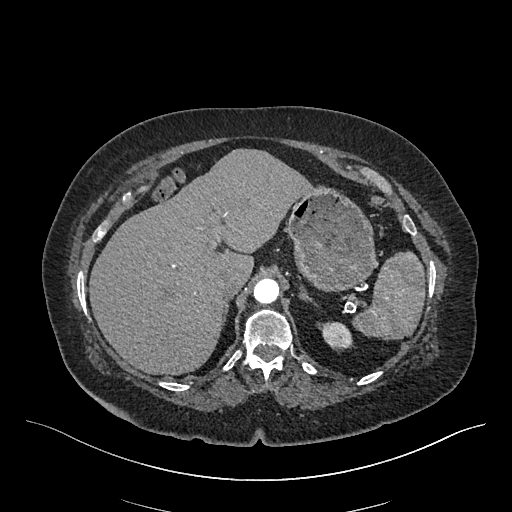
One axial slice (367 of 548, counting up from the lowest) of an arterial-phase abdominal CT acquired with 120 kVp, kernel I26f; each pixel is 0.852 mm and the slice is 1.00 mm thick.
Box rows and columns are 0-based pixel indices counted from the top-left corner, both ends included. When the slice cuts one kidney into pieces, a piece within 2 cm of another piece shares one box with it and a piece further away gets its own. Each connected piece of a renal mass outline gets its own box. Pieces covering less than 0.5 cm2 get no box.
Left kidney at rows 322–348, columns 319–352 (outlined area 694 px, about 5.0 cm2). No renal mass outline on this slice.